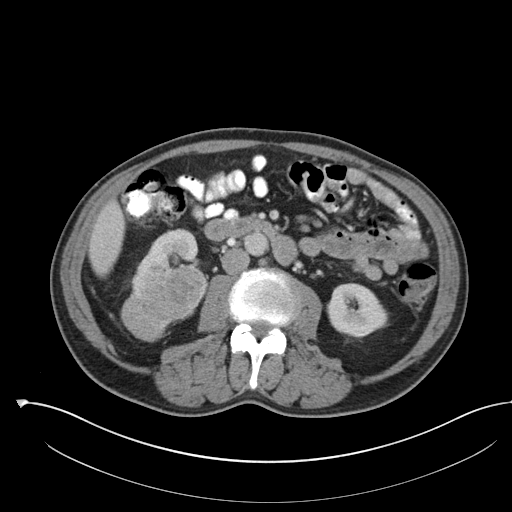
Contrast-enhanced abdominal CT, axial slice 60 of 142 (counted from the lowest slice); tube voltage 100 kVp, convolution kernel I30f; slices 5.00 mm thick, 0.855 mm per pixel.
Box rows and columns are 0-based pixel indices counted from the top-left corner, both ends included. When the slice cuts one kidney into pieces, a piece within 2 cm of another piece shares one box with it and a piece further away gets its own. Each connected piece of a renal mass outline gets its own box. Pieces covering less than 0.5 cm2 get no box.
Two kidney boxes and one renal mass box on this slice; by box centre, from the image's left to its right: (1) Right renal mass at rows 264–342, columns 120–207 (outlined area 4,630 px, about 33.9 cm2). (2) Right kidney at rows 228–280, columns 132–203 (outlined area 1,822 px, about 13.3 cm2). (3) Left kidney at rows 282–337, columns 326–386 (outlined area 2,516 px, about 18.4 cm2).